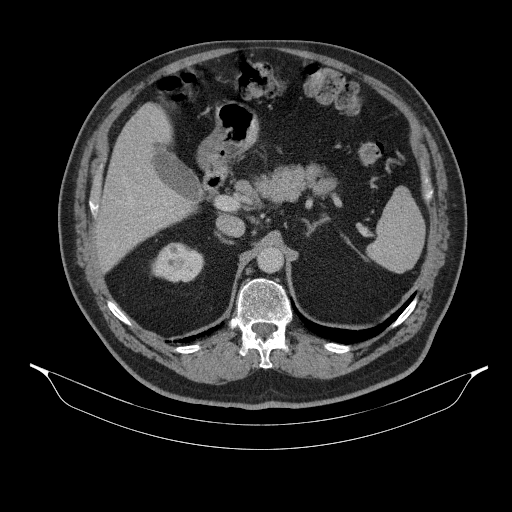
Axial slice 232 of 314 of a contrast-enhanced abdominal CT (slice 1 is the lowest), 130 kVp, kernel B31s; 2.50 mm slice thickness and 0.934 mm pixels.
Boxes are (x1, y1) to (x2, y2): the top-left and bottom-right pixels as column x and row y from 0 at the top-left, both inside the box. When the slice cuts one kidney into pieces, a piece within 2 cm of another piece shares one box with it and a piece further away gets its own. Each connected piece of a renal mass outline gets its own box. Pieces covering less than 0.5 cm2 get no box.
Right kidney, box (151, 242) to (204, 282) (outlined area 1,611 px, about 14.0 cm2). No renal mass outline on this slice.